Abdominal CT with intravenous contrast, axial plane, 120 kVp, kernel STANDARD. Slice 35/76 from the bottom of the scan; thickness 2.50 mm; pixel size 0.586 mm.
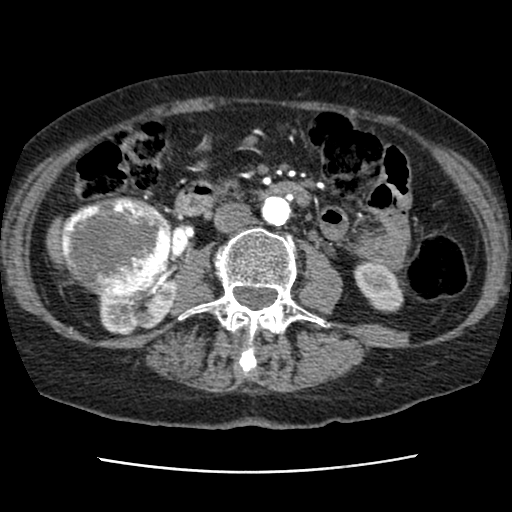
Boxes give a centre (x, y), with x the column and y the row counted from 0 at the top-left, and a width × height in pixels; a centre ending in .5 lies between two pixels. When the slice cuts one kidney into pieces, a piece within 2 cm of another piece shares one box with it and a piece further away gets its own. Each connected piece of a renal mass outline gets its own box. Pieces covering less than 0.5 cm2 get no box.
Two kidney boxes and one renal mass box on this slice; by box centre, from the image's left to its right: (1) Right renal mass in a box with centre (116, 246.5), 111 × 104 pixels (outlined area 8,922 px, about 30.6 cm2). (2) Right kidney, box centre (136.5, 292), 78 × 83 pixels (outlined area 2,859 px, about 9.8 cm2). (3) Left kidney in a box with centre (378, 286), 51 × 51 pixels (outlined area 1,841 px, about 6.3 cm2).